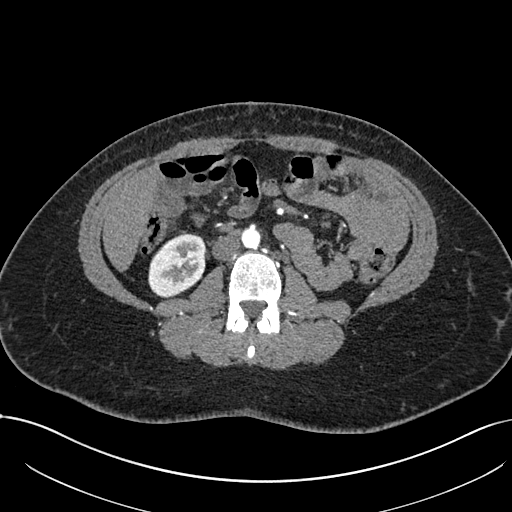
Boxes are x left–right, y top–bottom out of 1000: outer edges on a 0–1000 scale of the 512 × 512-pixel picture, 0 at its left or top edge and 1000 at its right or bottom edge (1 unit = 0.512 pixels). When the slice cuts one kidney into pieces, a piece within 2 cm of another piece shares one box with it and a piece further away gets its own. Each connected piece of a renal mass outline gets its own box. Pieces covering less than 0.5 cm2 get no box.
This is axial slice 353 of 738 (slice 1 is the lowest) of an arterial-phase abdominal CT with contrast; each pixel is 0.789 mm and the slice is 1.00 mm thick. Right kidney at x 289–402, y 457–580 out of 1000 (outlined area 2,808 px, about 17.5 cm2). No renal mass outline on this slice.
Acquired at 120 kVp and reconstructed with the I30f kernel.